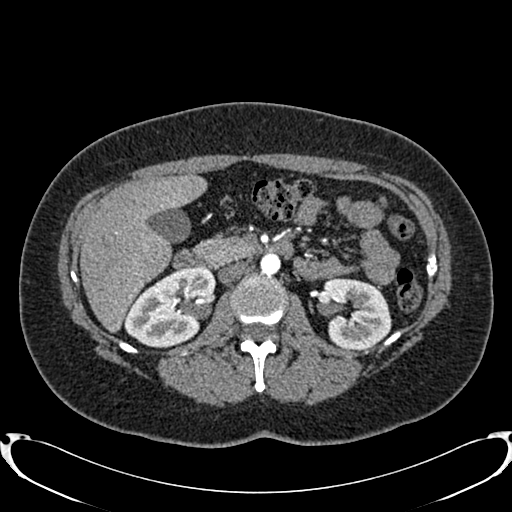
Arterial-phase contrast-enhanced abdominal CT, axial slice 470 of 719 (counted from the lowest slice); tube voltage 120 kVp, convolution kernel B20f; slices 1.00 mm thick, 0.766 mm per pixel.
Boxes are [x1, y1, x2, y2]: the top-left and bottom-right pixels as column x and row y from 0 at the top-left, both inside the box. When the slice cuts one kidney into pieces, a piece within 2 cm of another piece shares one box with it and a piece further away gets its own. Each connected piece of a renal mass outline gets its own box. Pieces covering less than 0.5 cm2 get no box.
Two boxes on this slice (two kidney boxes), listed by box centre from the image's left to its right. (1) Right kidney, box [124, 266, 215, 347] (outlined area 5,174 px, about 30.3 cm2). (2) Left kidney at [323, 277, 391, 349] (outlined area 3,912 px, about 22.9 cm2). No renal mass is outlined on this slice.